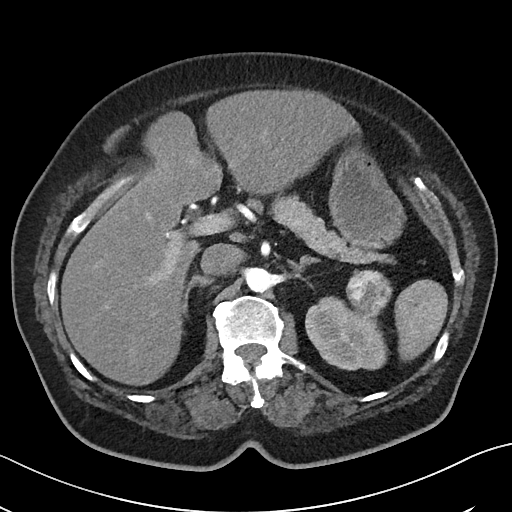
One axial slice (30 of 50, counting up from the lowest) of a contrast-enhanced abdominal CT acquired with 100 kVp, kernel I40f; each pixel is 0.723 mm and the slice is 5.00 mm thick.
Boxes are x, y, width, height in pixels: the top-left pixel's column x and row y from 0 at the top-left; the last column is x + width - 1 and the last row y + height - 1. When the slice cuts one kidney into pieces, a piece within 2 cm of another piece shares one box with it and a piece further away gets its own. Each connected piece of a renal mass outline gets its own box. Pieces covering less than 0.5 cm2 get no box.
One kidney box and one renal mass box on this slice; by box centre, from the image's left to its right: (1) Box x 305, y 296, width 83, height 75: left kidney (outlined area 4,356 px, about 22.7 cm2). (2) Left renal mass, box x 346, y 269, width 47, height 50 (outlined area 1,702 px, about 8.9 cm2).